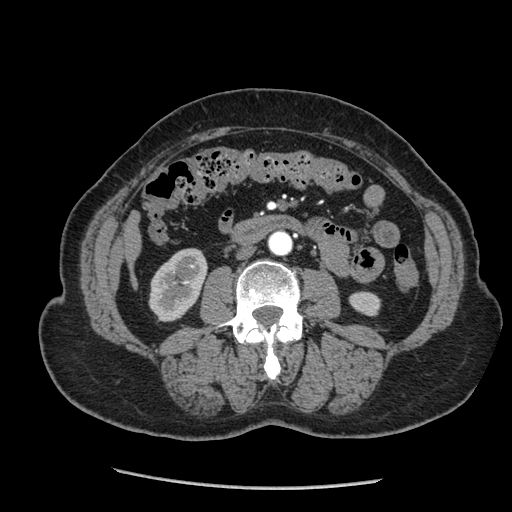
Arterial-phase contrast-enhanced abdominal CT, axial slice 96 of 233 (counted from the lowest slice); tube voltage 120 kVp, convolution kernel STANDARD; slices 1.25 mm thick, 0.703 mm per pixel.
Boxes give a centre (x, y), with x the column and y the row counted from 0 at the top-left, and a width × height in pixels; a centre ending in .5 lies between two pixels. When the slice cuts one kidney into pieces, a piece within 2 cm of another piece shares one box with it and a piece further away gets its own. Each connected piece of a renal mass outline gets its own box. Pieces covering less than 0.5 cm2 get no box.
Two kidney boxes on this slice; by box centre, from the image's left to its right: (1) Right kidney in a box with centre (177.5, 285), 60 × 75 pixels (outlined area 3,132 px, about 15.5 cm2). (2) Left kidney in a box with centre (364.5, 303.5), 34 × 26 pixels (outlined area 650 px, about 3.2 cm2). No renal mass is outlined on this slice.